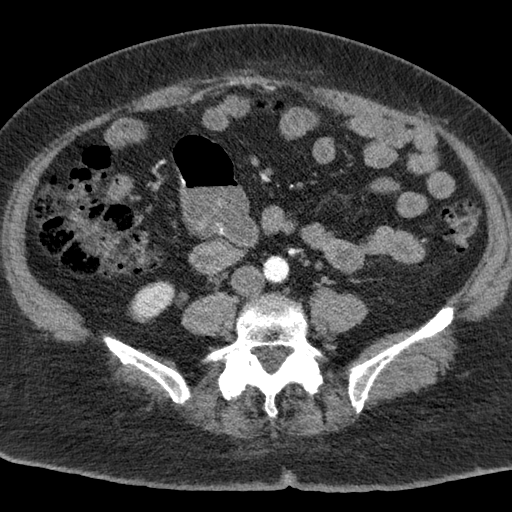
Abdominal CT with intravenous contrast, axial plane, 120 kVp, kernel B. Slice 14/76 from the bottom of the scan; thickness 3.00 mm; pixel size 0.684 mm.
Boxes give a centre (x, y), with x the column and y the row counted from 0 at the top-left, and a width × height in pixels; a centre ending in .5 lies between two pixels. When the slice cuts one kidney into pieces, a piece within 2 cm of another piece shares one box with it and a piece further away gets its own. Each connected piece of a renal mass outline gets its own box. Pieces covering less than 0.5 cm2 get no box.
Box centre (158, 301.5), 61 × 44 pixels: right kidney (outlined area 1,494 px, about 7.0 cm2). This slice carries no renal mass outline.